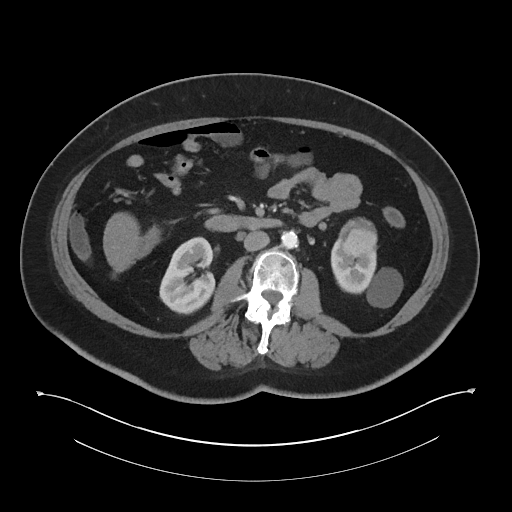
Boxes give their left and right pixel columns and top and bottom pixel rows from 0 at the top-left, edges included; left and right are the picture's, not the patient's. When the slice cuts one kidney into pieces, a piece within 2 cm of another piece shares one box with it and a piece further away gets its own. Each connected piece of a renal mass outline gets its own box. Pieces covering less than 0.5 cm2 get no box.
Contrast-enhanced abdominal CT, axial slice 18 of 60 (counted from the lowest slice); 5.00 mm thick, 0.971 mm per pixel. Boxed on this slice (two kidney boxes and one renal mass box), listed by box centre from the image's left to its right: (1) Right kidney in the box with left 159, top 236, right 215, bottom 314 (outlined area 3,225 px, about 30.4 cm2). (2) Left renal mass, the box with left 338, top 217, right 377, bottom 254 (outlined area 1,119 px, about 10.5 cm2). (3) Left kidney, the box with left 330, top 238, right 402, bottom 307 (outlined area 2,813 px, about 26.5 cm2).
Acquired at 120 kVp and reconstructed with the I30f kernel.